Arterial-phase contrast-enhanced abdominal CT, axial slice 413 of 581 (counted from the lowest slice); tube voltage 120 kVp, convolution kernel B30f; slices 1.00 mm thick, 0.713 mm per pixel.
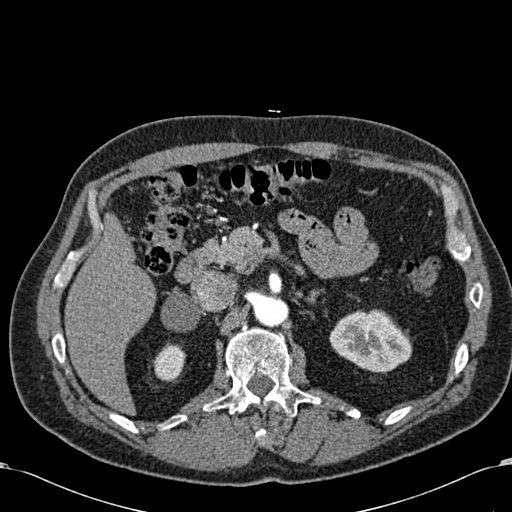
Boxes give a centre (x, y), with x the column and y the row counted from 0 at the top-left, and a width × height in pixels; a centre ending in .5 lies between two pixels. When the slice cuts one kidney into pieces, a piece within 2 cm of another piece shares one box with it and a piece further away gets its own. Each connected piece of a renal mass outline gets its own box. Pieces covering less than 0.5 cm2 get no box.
Two kidney boxes on this slice; by box centre, from the image's left to its right: (1) Right kidney in a box with centre (169, 362), 33 × 39 pixels (outlined area 944 px, about 4.8 cm2). (2) Box centre (370.5, 340.5), 84 × 64 pixels: left kidney (outlined area 3,829 px, about 19.5 cm2). No renal mass outline on this slice.